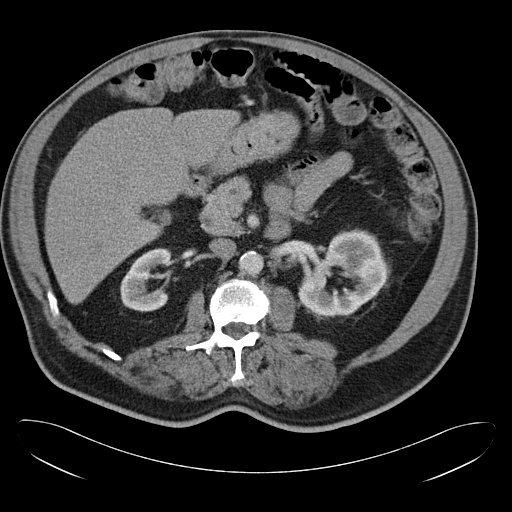
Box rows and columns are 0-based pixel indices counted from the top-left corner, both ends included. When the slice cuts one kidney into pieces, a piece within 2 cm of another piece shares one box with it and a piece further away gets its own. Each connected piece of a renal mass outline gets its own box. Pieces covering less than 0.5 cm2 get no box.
Arterial-phase contrast-enhanced abdominal CT, axial slice 20 of 34 (counted from the lowest slice); 5.00 mm thick, 0.830 mm per pixel. Boxed on this slice (two kidney boxes), listed by box centre from the image's left to its right: (1) Right kidney at rows 248–311, columns 120–170 (outlined area 2,300 px, about 15.8 cm2). (2) Left kidney at rows 228–317, columns 298–386 (outlined area 5,018 px, about 34.6 cm2). This slice carries no renal mass outline.
Scan settings: 120 kVp, B30f reconstruction kernel.